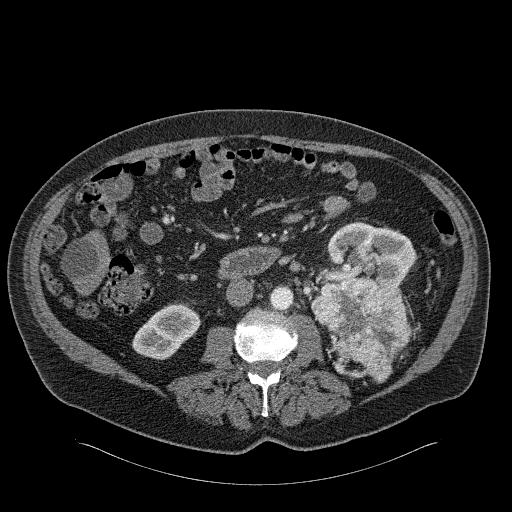
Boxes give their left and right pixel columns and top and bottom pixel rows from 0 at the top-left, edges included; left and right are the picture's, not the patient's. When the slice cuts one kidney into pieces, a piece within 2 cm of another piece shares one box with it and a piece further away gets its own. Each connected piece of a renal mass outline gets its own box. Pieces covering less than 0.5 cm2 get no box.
Arterial-phase contrast-enhanced abdominal CT, axial slice 99 of 326 (counted from the lowest slice); 2.00 mm thick, 0.963 mm per pixel. Three boxes on this slice (two kidney boxes and one renal mass box), listed by box centre from the image's left to its right. (1) Box with left 132, top 302, right 201, bottom 359: right kidney (outlined area 2,561 px, about 23.7 cm2). (2) Left renal mass in the box with left 310, top 277, right 411, bottom 382 (outlined area 6,859 px, about 63.6 cm2). (3) Left kidney, the box with left 311, top 221, right 416, bottom 300 (outlined area 4,638 px, about 43.0 cm2).
Scan settings: 120 kVp, B31f reconstruction kernel.